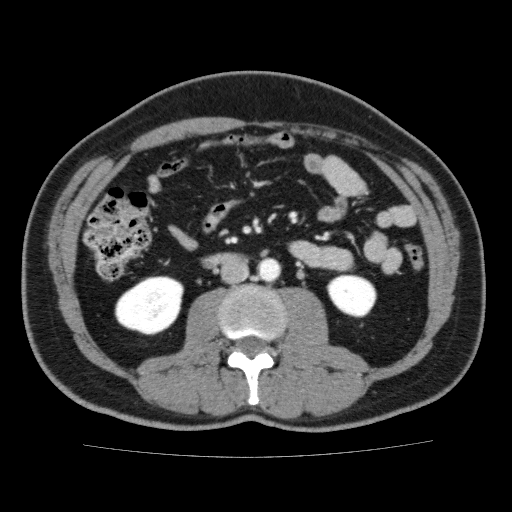
Axial slice 89 of 159 of a contrast-enhanced abdominal CT (slice 1 is the lowest), 120 kVp, kernel FC13; 3.00 mm slice thickness and 0.668 mm pixels.
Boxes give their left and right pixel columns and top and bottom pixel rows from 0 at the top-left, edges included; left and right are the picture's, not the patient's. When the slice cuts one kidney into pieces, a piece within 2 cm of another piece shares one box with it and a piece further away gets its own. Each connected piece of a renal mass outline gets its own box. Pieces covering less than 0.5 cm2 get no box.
Boxed on this slice (two kidney boxes), listed by box centre from the image's left to its right: (1) Right kidney, the box with left 114, top 276, right 183, bottom 335 (outlined area 3,139 px, about 14.0 cm2). (2) Left kidney in the box with left 326, top 274, right 376, bottom 317 (outlined area 1,686 px, about 7.5 cm2). No renal mass outline on this slice.